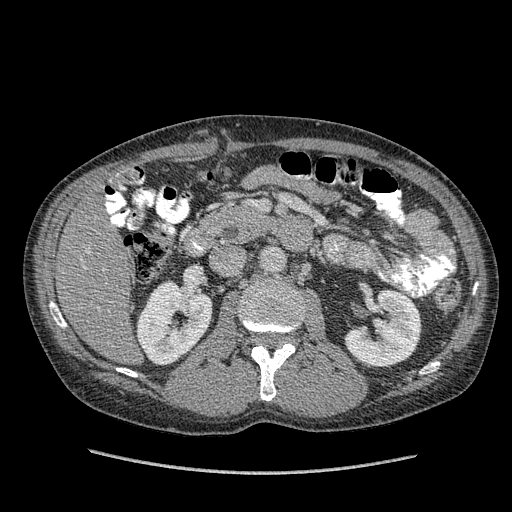
Abdominal CT with intravenous contrast, arterial phase, axial plane, 120 kVp, kernel STANDARD. Slice 214/349 from the bottom of the scan; thickness 1.25 mm; pixel size 0.742 mm.
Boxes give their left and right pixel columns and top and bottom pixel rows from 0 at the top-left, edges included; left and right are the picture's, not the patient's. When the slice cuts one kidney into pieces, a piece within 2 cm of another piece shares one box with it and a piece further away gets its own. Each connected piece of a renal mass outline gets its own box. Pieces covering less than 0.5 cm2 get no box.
Boxed on this slice (two kidney boxes), listed by box centre from the image's left to its right: (1) Right kidney in the box with left 135, top 279, right 212, bottom 365 (outlined area 4,699 px, about 25.9 cm2). (2) Box with left 344, top 289, right 421, bottom 367: left kidney (outlined area 4,260 px, about 23.5 cm2). This slice carries no renal mass outline.